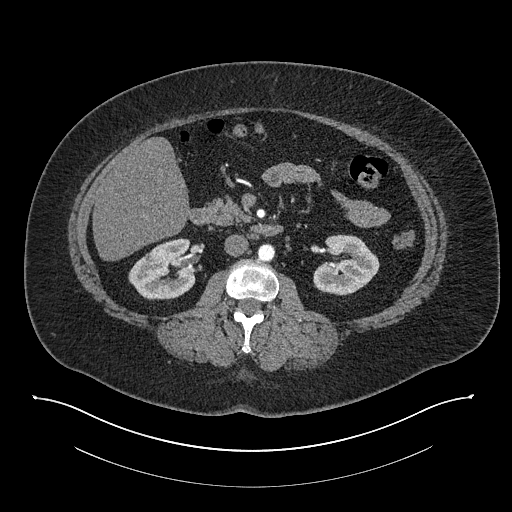
Abdominal CT with intravenous contrast, arterial phase, axial plane, 140 kVp, kernel I30f. Slice 440/673 from the bottom of the scan; thickness 1.00 mm; pixel size 0.957 mm.
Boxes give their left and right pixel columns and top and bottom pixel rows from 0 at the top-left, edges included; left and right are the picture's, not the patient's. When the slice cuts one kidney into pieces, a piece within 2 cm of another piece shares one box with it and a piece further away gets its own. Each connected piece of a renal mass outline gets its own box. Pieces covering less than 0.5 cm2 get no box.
Two boxes on this slice (two kidney boxes), listed by box centre from the image's left to its right. (1) Right kidney in the box with left 128, top 238, right 195, bottom 299 (outlined area 3,077 px, about 28.2 cm2). (2) Box with left 313, top 234, right 379, bottom 295: left kidney (outlined area 2,943 px, about 27.0 cm2). No renal mass is outlined on this slice.